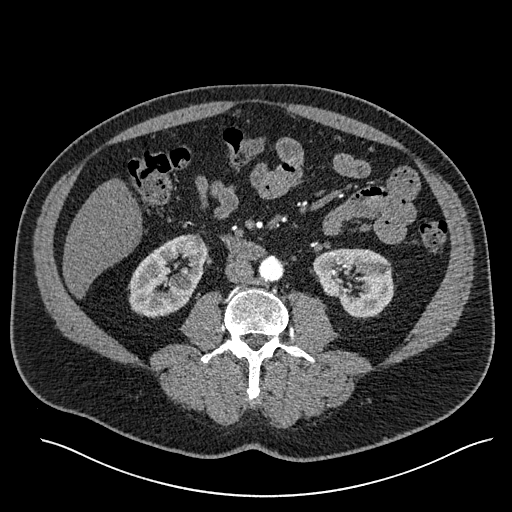
One axial slice (257 of 527, counting up from the lowest) of an arterial-phase abdominal CT acquired with 120 kVp, kernel I30f; each pixel is 0.859 mm and the slice is 1.00 mm thick.
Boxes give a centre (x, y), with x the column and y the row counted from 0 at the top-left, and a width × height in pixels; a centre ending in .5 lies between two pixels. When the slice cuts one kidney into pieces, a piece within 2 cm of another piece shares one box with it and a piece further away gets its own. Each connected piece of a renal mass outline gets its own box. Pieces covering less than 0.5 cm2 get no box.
Two boxes on this slice (two kidney boxes), listed by box centre from the image's left to its right. (1) Right kidney, box centre (167.5, 275.5), 80 × 84 pixels (outlined area 4,468 px, about 33.0 cm2). (2) Left kidney in a box with centre (353, 282.5), 81 × 70 pixels (outlined area 4,165 px, about 30.8 cm2). This slice carries no renal mass outline.